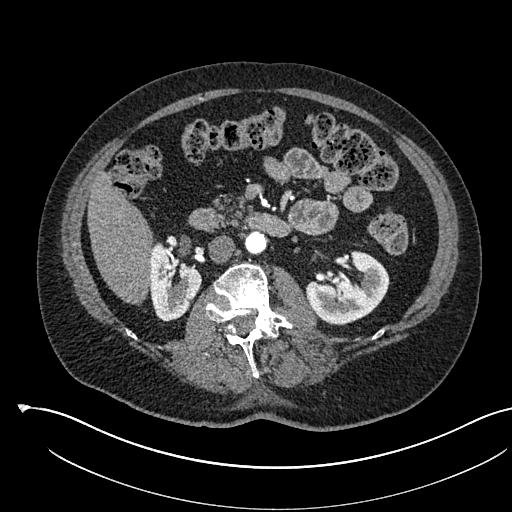
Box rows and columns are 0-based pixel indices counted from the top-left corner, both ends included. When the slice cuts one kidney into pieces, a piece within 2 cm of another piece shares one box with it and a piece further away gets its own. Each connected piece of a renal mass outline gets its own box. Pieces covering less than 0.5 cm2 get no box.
Slice 308/541 of a contrast-enhanced abdominal CT in the arterial phase, counting up from the lowest; pixel size 0.834 mm, slice thickness 1.00 mm. Two boxes on this slice (two kidney boxes), listed by box centre from the image's left to its right. (1) Right kidney at rows 241–321, columns 148–201 (outlined area 2,950 px, about 20.5 cm2). (2) Box rows 250–325, columns 305–389: left kidney (outlined area 4,182 px, about 29.1 cm2). This slice carries no renal mass outline.
Tube voltage 120 kVp; convolution kernel I30f.